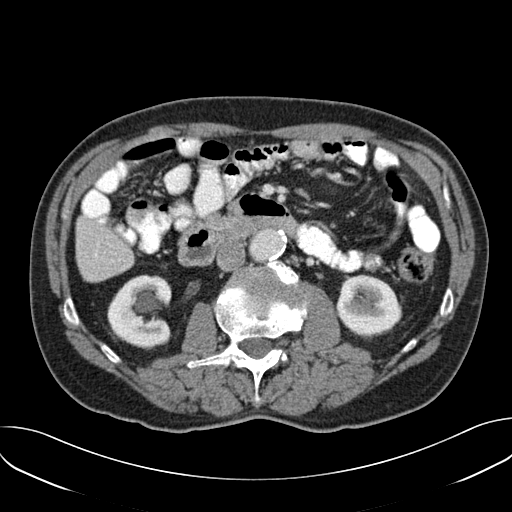
Abdominal CT with intravenous contrast, arterial phase, axial plane, 120 kVp, kernel B30f. Slice 96/157 from the bottom of the scan; thickness 3.00 mm; pixel size 0.742 mm.
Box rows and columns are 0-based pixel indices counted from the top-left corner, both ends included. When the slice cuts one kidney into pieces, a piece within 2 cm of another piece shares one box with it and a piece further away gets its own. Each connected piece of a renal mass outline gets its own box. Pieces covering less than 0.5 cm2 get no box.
Two kidney boxes on this slice; by box centre, from the image's left to its right: (1) Box rows 274–348, columns 107–171: right kidney (outlined area 3,689 px, about 20.3 cm2). (2) Box rows 274–337, columns 336–402: left kidney (outlined area 3,181 px, about 17.5 cm2). This slice carries no renal mass outline.